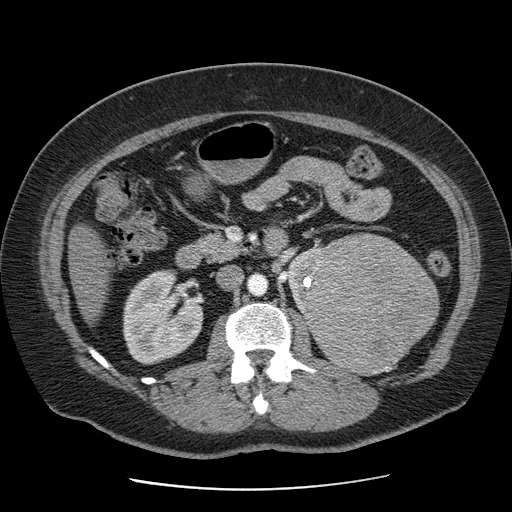
Abdominal CT with intravenous contrast, axial plane, 120 kVp, kernel STANDARD. Slice 44/103 from the bottom of the scan; thickness 2.50 mm; pixel size 0.736 mm.
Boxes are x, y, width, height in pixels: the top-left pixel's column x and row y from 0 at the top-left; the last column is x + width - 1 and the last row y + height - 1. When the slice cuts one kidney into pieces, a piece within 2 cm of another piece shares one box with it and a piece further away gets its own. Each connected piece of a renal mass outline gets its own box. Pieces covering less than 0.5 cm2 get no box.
Three boxes on this slice (two kidney boxes and one renal mass box), listed by box centre from the image's left to its right. (1) Box x 122, y 269, width 82, height 96: right kidney (outlined area 5,757 px, about 31.2 cm2). (2) Left kidney at x 286, y 246, width 40, height 71 (outlined area 1,342 px, about 7.3 cm2). (3) Left renal mass at x 303, y 232, width 138, height 145 (outlined area 14,342 px, about 77.8 cm2).